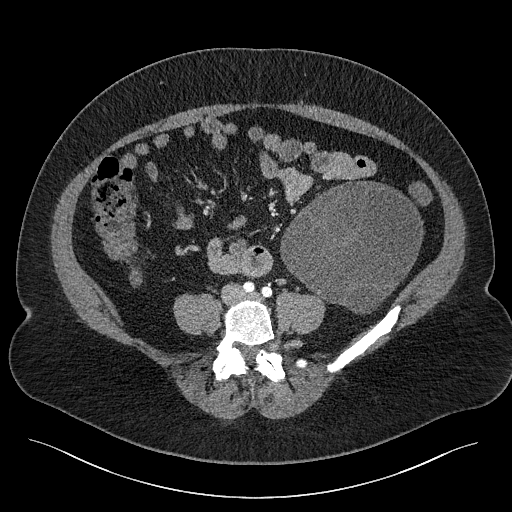
Contrast-enhanced abdominal CT, axial slice 58 of 301 (counted from the lowest slice); tube voltage 120 kVp, convolution kernel I40f; slices 2.00 mm thick, 0.859 mm per pixel.
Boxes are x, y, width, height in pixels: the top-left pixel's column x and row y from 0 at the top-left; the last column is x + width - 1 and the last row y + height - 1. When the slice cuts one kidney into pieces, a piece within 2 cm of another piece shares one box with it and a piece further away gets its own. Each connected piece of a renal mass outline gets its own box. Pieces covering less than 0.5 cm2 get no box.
Left renal mass at x 280, y 179, width 144, height 135 (outlined area 13,607 px, about 100.5 cm2); no kidney outline appears on this slice, but the same outlined renal mass comes within 1 cm of the kidney on another slice.